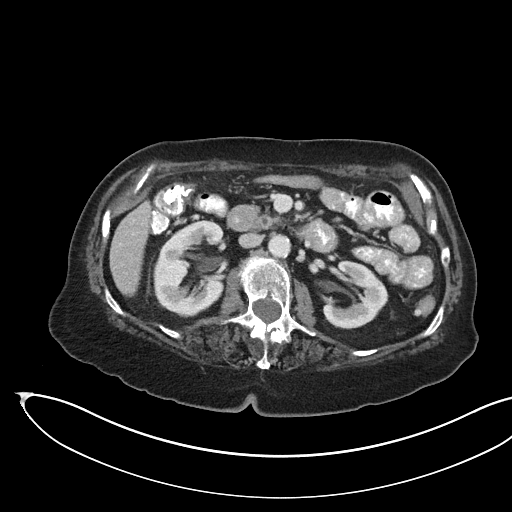
Abdominal CT with intravenous contrast, arterial phase, axial plane, 100 kVp, kernel I40f. Slice 98/145 from the bottom of the scan; thickness 3.00 mm; pixel size 0.834 mm.
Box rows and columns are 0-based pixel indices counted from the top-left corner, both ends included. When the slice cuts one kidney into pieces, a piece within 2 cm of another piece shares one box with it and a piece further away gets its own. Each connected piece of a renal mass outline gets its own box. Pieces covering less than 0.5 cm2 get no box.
Boxed on this slice (two kidney boxes), listed by box centre from the image's left to its right: (1) Kidney at rows 220–316, columns 153–225 (outlined area 5,171 px, about 36.0 cm2). (2) Kidney, box rows 260–328, columns 322–388 (outlined area 2,948 px, about 20.5 cm2). No renal mass is outlined on this slice.